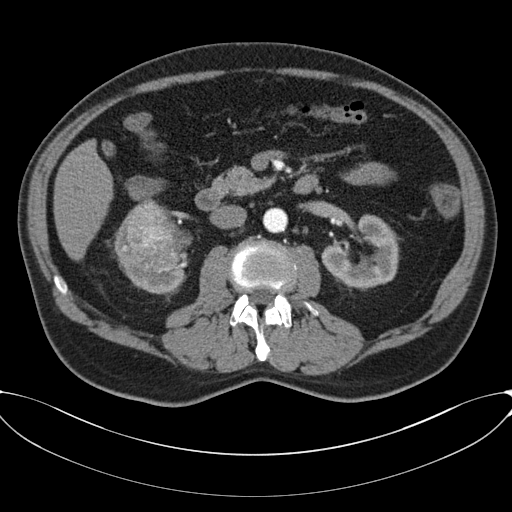
Contrast-enhanced abdominal CT, axial slice 34 of 80 (counted from the lowest slice); tube voltage 120 kVp, convolution kernel B30f; slices 3.00 mm thick, 0.822 mm per pixel.
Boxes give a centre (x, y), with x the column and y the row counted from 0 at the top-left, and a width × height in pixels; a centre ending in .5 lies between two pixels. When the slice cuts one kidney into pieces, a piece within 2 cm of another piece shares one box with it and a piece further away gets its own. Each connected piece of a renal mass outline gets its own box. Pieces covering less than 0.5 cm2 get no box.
Two kidney boxes and one renal mass box on this slice; by box centre, from the image's left to its right: (1) Right kidney in a box with centre (149.5, 255.5), 74 × 76 pixels (outlined area 1,599 px, about 10.8 cm2). (2) Box centre (158.5, 235.5), 66 × 74 pixels: right renal mass (outlined area 3,534 px, about 23.9 cm2). (3) Left kidney in a box with centre (360.5, 252), 80 × 77 pixels (outlined area 3,790 px, about 25.6 cm2).